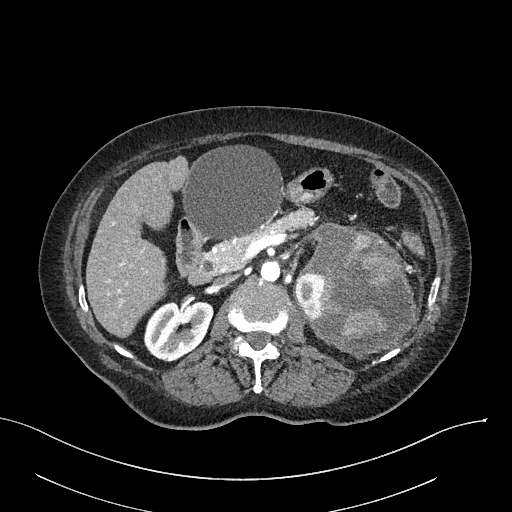
Abdominal CT with intravenous contrast, arterial phase, axial plane, 100 kVp, kernel I40f. Slice 155/316 from the bottom of the scan; thickness 2.00 mm; pixel size 0.840 mm.
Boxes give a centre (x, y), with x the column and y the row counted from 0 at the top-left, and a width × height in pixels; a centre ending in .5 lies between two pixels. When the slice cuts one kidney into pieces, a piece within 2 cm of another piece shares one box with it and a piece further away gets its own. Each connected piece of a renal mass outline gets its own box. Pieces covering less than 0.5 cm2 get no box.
Three boxes on this slice (two kidney boxes and one renal mass box), listed by box centre from the image's left to its right. (1) Right kidney in a box with centre (178, 330), 71 × 61 pixels (outlined area 3,143 px, about 22.2 cm2). (2) Left kidney, box centre (308, 296), 29 × 47 pixels (outlined area 966 px, about 6.8 cm2). (3) Box centre (357.5, 291.5), 118 × 136 pixels: left renal mass (outlined area 10,955 px, about 77.3 cm2).